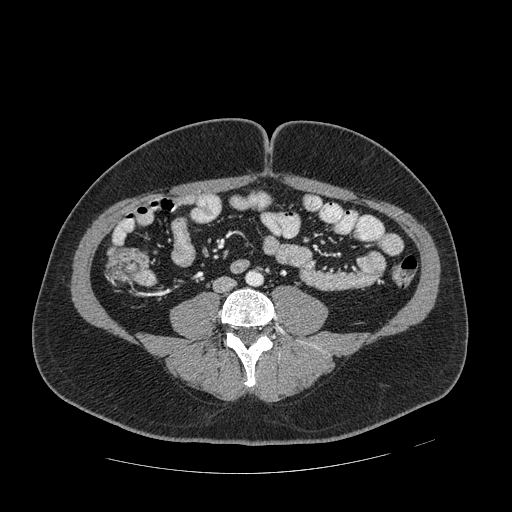
Arterial-phase contrast-enhanced abdominal CT, axial slice 188 of 389 (counted from the lowest slice); 1.25 mm thick, 0.869 mm per pixel. No kidney and no renal mass is outlined on this slice; the outlines in this scan cover only the kidneys and the renal masses, so nothing is said about any other organ.
Tube voltage 120 kVp; convolution kernel STANDARD.